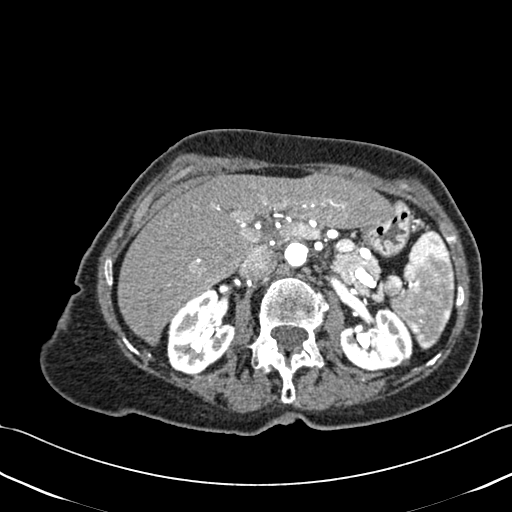
One axial slice (275 of 433, counting up from the lowest) of a contrast-enhanced abdominal CT acquired with 120 kVp, kernel B30f; each pixel is 0.672 mm and the slice is 1.00 mm thick.
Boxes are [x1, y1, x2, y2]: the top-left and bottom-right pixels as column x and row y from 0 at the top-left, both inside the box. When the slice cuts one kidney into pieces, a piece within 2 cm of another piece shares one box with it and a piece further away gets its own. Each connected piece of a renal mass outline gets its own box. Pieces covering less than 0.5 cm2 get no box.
Two boxes on this slice (two kidney boxes), listed by box centre from the image's left to its right. (1) Right kidney, box [167, 290, 235, 374] (outlined area 4,133 px, about 18.7 cm2). (2) Box [339, 308, 412, 371]: left kidney (outlined area 3,459 px, about 15.6 cm2). This slice carries no renal mass outline.